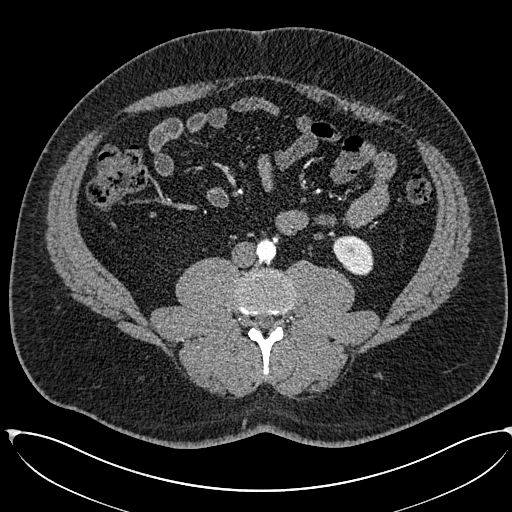
Abdominal CT with intravenous contrast, arterial phase, axial plane, 120 kVp, kernel I30f. Slice 231/673 from the bottom of the scan; thickness 1.00 mm; pixel size 0.855 mm.
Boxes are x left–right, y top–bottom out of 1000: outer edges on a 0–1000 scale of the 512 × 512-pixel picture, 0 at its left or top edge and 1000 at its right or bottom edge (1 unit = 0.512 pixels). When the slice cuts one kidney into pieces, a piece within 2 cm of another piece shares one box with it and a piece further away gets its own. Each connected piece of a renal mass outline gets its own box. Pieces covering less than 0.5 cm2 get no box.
Left kidney, box x 648–730, y 459–539 out of 1000 (outlined area 1,252 px, about 9.2 cm2). This slice carries no renal mass outline.